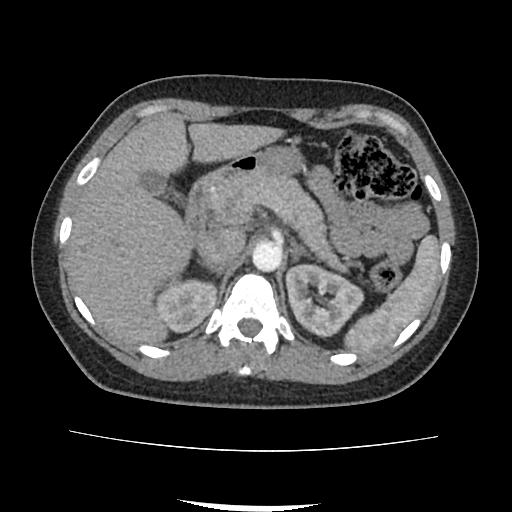
Abdominal CT with intravenous contrast, axial plane, 120 kVp, kernel FC18. Slice 67/103 from the bottom of the scan; thickness 3.00 mm; pixel size 0.714 mm.
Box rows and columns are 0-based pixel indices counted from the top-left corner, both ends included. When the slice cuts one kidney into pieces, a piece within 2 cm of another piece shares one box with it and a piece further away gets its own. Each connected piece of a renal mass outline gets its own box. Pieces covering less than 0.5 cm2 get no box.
Two boxes on this slice (two kidney boxes), listed by box centre from the image's left to its right. (1) Box rows 278–333, columns 154–217: right kidney (outlined area 2,548 px, about 13.0 cm2). (2) Box rows 263–338, columns 285–364: left kidney (outlined area 4,084 px, about 20.8 cm2). No renal mass is outlined on this slice.